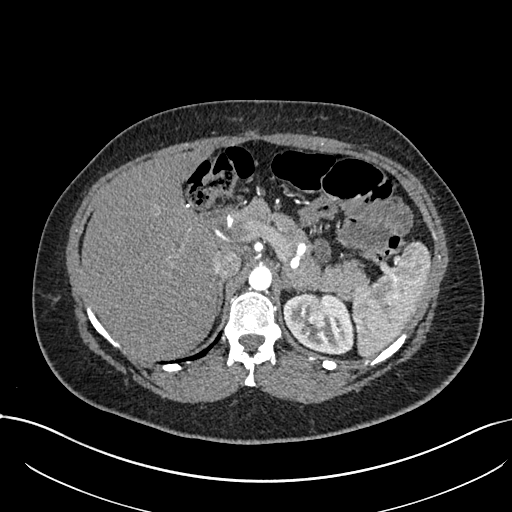
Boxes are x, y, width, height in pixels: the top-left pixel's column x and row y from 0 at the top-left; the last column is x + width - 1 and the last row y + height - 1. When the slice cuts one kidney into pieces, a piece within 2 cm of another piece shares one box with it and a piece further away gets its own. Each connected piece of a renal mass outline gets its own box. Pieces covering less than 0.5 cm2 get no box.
This is axial slice 528 of 738 (slice 1 is the lowest) of an arterial-phase abdominal CT with contrast; each pixel is 0.789 mm and the slice is 1.00 mm thick. Boxed on this slice (one kidney box and one renal mass box), listed by box centre from the image's left to its right: (1) Left renal mass, box x 306, y 298, width 21, height 29 (outlined area 451 px, about 2.8 cm2). (2) Box x 283, y 292, width 71, height 63: left kidney (outlined area 3,040 px, about 18.9 cm2).
Acquired at 120 kVp and reconstructed with the I30f kernel.